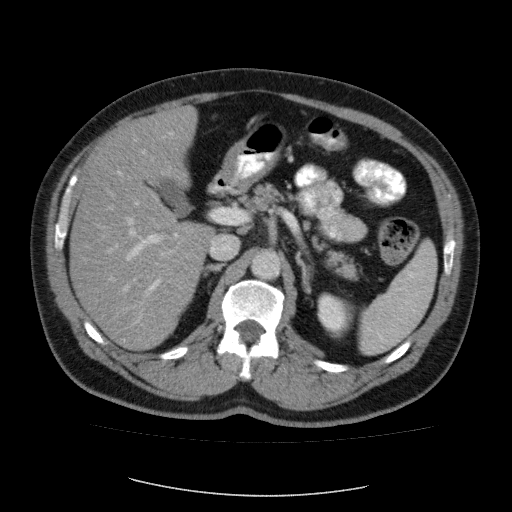
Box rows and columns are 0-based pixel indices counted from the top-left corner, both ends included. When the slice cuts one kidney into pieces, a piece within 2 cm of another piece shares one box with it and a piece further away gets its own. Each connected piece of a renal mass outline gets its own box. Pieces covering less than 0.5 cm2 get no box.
This is axial slice 63 of 87 (slice 1 is the lowest) of an abdominal CT with contrast; each pixel is 0.812 mm and the slice is 5.00 mm thick. Left kidney at rows 292–330, columns 317–349 (outlined area 994 px, about 6.6 cm2). No renal mass is outlined on this slice.
Scan settings: 120 kVp, FC12 reconstruction kernel.